Abdominal CT with intravenous contrast, arterial phase, axial plane, 120 kVp, kernel B20f. Slice 489/634 from the bottom of the scan; thickness 1.00 mm; pixel size 0.838 mm.
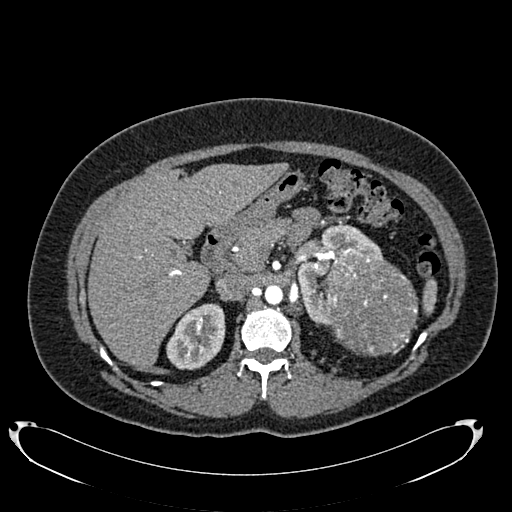
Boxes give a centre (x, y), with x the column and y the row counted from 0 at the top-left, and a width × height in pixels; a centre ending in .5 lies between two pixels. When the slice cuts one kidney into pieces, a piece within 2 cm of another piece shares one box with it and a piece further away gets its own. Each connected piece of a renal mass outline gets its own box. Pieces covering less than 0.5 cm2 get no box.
Three boxes on this slice (two kidney boxes and one renal mass box), listed by box centre from the image's left to its right. (1) Right kidney, box centre (195.5, 336), 60 × 67 pixels (outlined area 2,937 px, about 20.6 cm2). (2) Left kidney in a box with centre (339.5, 275), 86 × 101 pixels (outlined area 3,136 px, about 22.0 cm2). (3) Box centre (369.5, 303), 98 × 107 pixels: left renal mass (outlined area 7,913 px, about 55.6 cm2).